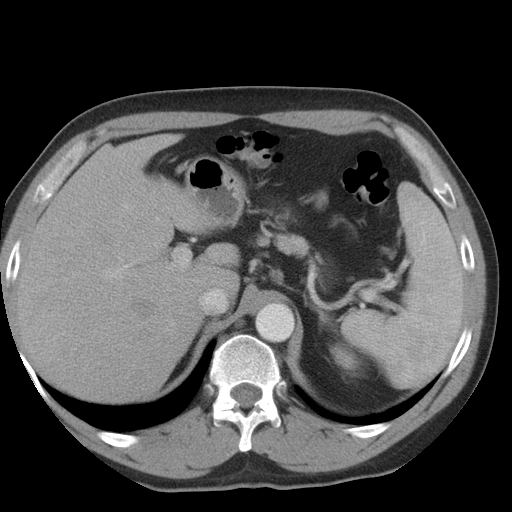
Axial slice 30 of 36 of a contrast-enhanced abdominal CT in the arterial phase (slice 1 is the lowest), 140 kVp, kernel STANDARD; 5.00 mm slice thickness and 0.703 mm pixels.
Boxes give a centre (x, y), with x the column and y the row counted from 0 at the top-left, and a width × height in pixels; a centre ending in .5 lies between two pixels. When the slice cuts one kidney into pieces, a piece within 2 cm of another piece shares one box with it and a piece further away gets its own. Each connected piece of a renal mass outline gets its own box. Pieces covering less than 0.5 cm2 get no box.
Left kidney in a box with centre (343, 357.5), 29 × 26 pixels (outlined area 514 px, about 2.5 cm2). No renal mass outline on this slice.